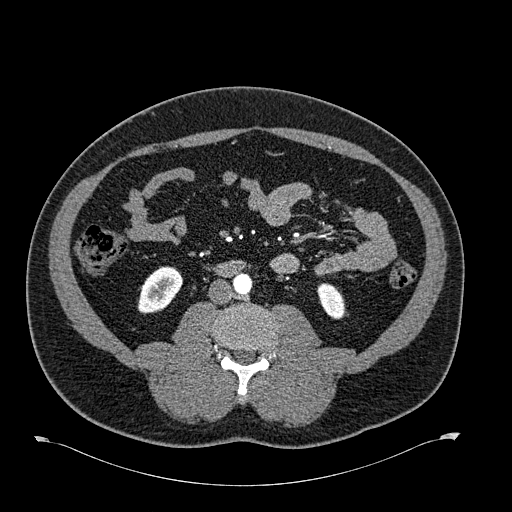
Axial slice 275 of 723 of a contrast-enhanced abdominal CT in the arterial phase (slice 1 is the lowest), 120 kVp, kernel B30f; 1.00 mm slice thickness and 0.895 mm pixels.
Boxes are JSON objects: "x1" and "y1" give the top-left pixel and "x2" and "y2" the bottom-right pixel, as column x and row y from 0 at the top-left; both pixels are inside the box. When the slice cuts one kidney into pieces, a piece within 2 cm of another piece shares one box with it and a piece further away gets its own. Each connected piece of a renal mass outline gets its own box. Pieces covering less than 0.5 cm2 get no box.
Boxed on this slice (two kidney boxes), listed by box centre from the image's left to its right: (1) Right kidney, box {"x1": 137, "y1": 266, "x2": 182, "y2": 314} (outlined area 1,516 px, about 12.1 cm2). (2) Left kidney, box {"x1": 317, "y1": 283, "x2": 345, "y2": 319} (outlined area 761 px, about 6.1 cm2). No renal mass outline on this slice.